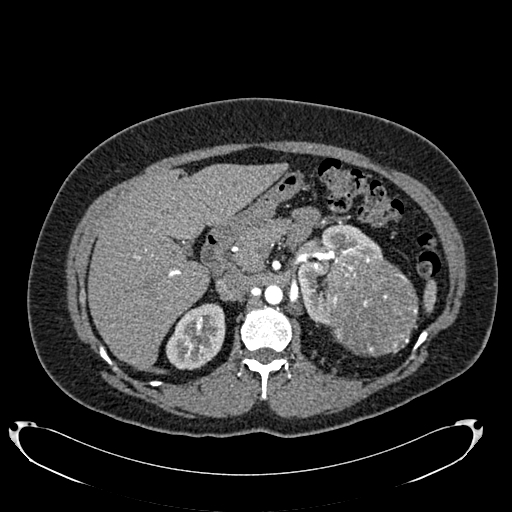
One axial slice (488 of 634, counting up from the lowest) of an arterial-phase abdominal CT acquired with 120 kVp, kernel B20f; each pixel is 0.838 mm and the slice is 1.00 mm thick.
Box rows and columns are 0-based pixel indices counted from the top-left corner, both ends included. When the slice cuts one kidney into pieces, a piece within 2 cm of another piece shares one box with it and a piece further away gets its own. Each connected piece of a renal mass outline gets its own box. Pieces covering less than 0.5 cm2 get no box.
Boxed on this slice (two kidney boxes and one renal mass box), listed by box centre from the image's left to its right: (1) Box rows 303–369, columns 166–225: right kidney (outlined area 2,954 px, about 20.7 cm2). (2) Box rows 225–325, columns 297–382: left kidney (outlined area 3,000 px, about 21.1 cm2). (3) Left renal mass at rows 249–356, columns 321–418 (outlined area 8,076 px, about 56.7 cm2).